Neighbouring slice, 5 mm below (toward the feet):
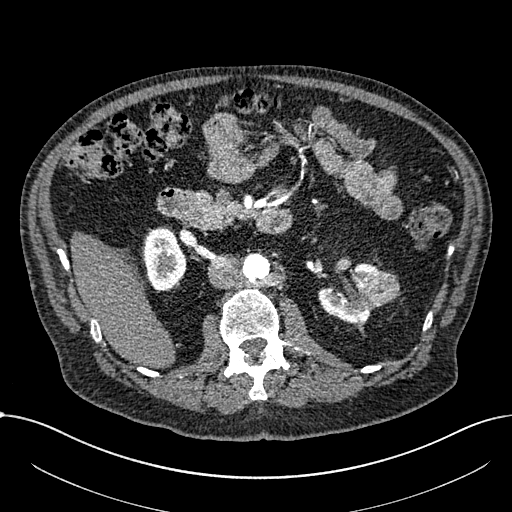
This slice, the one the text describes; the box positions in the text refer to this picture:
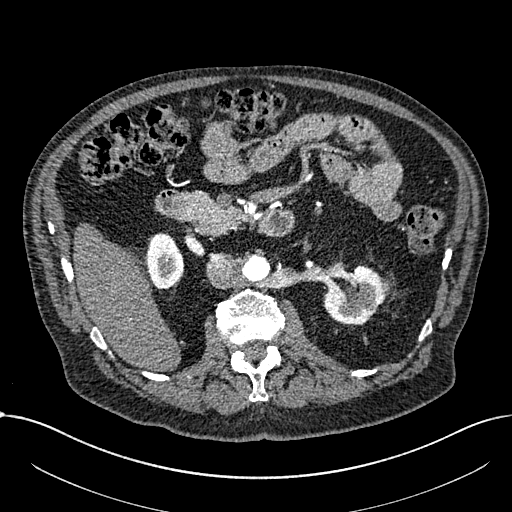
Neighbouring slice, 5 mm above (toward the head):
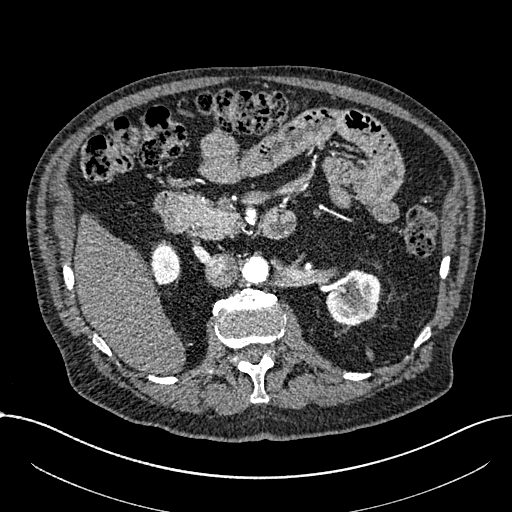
Arterial-phase contrast-enhanced abdominal CT, axial slice 413 of 1059 (counted from the lowest slice); tube voltage 100 kVp, convolution kernel I30f; slices 1.00 mm thick, 0.811 mm per pixel.
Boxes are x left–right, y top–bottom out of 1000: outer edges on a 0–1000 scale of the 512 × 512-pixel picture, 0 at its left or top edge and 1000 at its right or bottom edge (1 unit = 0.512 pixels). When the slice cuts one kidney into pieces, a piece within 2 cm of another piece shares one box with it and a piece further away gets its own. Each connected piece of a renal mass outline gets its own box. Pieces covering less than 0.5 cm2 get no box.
Three boxes on this slice (two kidney boxes and one renal mass box), listed by box centre from the image's left to its right. (1) Box x 287–359, y 453–564 out of 1000: right part of the midline-crossing kidney (outlined area 1,671 px, about 11.0 cm2). (2) Box x 631–764, y 518–637 out of 1000: left part of the midline-crossing kidney (outlined area 2,664 px, about 17.5 cm2). (3) Renal mass at x 744–764, y 553–578 out of 1000 (outlined area 85 px, about 0.6 cm2). This slice lies near the end of a renal mass toward the head; the slices 5 mm below and 5 mm above it are shown too, and the boxes mark positions on this slice only.